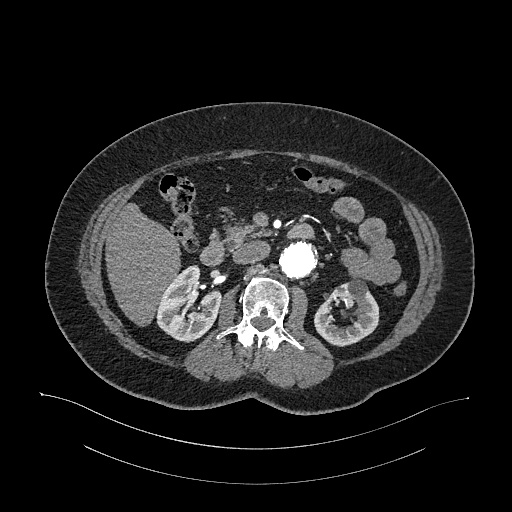
One axial slice (654 of 987, counting up from the lowest) of an arterial-phase abdominal CT acquired with 120 kVp, kernel I26f; each pixel is 0.977 mm and the slice is 1.00 mm thick.
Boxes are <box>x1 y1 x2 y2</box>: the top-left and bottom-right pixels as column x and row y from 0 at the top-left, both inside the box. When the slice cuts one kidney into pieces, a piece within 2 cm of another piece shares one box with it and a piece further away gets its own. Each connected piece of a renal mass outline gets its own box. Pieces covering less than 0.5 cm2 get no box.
Boxed on this slice (two kidney boxes), listed by box centre from the image's left to its right: (1) At <box>155 264 221 341</box>: right kidney (outlined area 3,386 px, about 32.3 cm2). (2) Left kidney at <box>313 279 379 346</box> (outlined area 2,921 px, about 27.9 cm2). No renal mass is outlined on this slice.